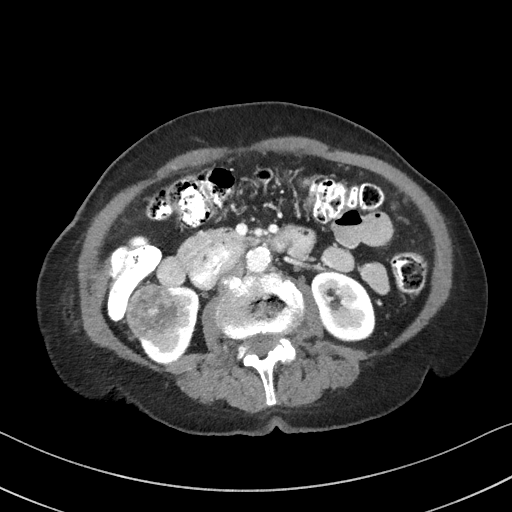
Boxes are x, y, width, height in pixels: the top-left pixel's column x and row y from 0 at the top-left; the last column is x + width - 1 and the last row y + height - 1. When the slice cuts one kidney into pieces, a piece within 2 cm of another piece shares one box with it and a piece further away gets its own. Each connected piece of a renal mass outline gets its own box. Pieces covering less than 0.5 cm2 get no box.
Slice 49/92 of a contrast-enhanced abdominal CT, counting up from the lowest; pixel size 0.684 mm, slice thickness 3.00 mm. Boxed on this slice (two kidney boxes and one renal mass box), listed by box centre from the image's left to its right: (1) Right renal mass, box x 126, y 284, width 51, height 58 (outlined area 2,302 px, about 10.8 cm2). (2) Right kidney at x 141, y 286, width 59, height 77 (outlined area 2,112 px, about 9.9 cm2). (3) Left kidney at x 311, y 272, width 65, height 71 (outlined area 3,377 px, about 15.8 cm2).
Scan settings: 100 kVp, I41f reconstruction kernel.